Abdominal CT with intravenous contrast, arterial phase, axial plane, 120 kVp, kernel I26f. Slice 139/470 from the bottom of the scan; thickness 1.00 mm; pixel size 0.938 mm.
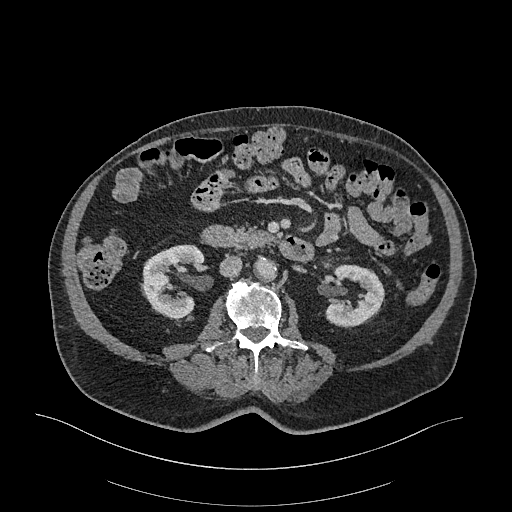
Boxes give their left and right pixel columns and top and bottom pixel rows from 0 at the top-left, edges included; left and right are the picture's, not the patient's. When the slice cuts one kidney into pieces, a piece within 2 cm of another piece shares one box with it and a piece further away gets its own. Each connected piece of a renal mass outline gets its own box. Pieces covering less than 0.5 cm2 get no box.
Two boxes on this slice (two kidney boxes), listed by box centre from the image's left to its right. (1) Right kidney, the box with left 142, top 244, right 204, bottom 319 (outlined area 3,211 px, about 28.2 cm2). (2) Box with left 324, top 264, right 384, bottom 327: left kidney (outlined area 2,661 px, about 23.4 cm2). No renal mass outline on this slice.